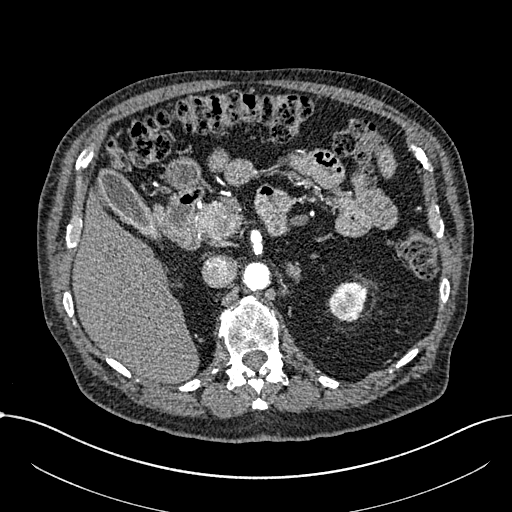
Arterial-phase contrast-enhanced abdominal CT, axial slice 458 of 1059 (counted from the lowest slice); tube voltage 100 kVp, convolution kernel I30f; slices 1.00 mm thick, 0.811 mm per pixel.
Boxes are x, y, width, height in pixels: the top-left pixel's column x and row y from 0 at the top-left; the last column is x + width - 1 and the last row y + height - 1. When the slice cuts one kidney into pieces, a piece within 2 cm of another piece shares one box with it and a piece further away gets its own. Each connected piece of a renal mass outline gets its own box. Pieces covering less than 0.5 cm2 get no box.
Box x 327, y 281, width 42, height 42: left part of the midline-crossing kidney (outlined area 1,244 px, about 8.2 cm2). No renal mass is outlined on this slice.